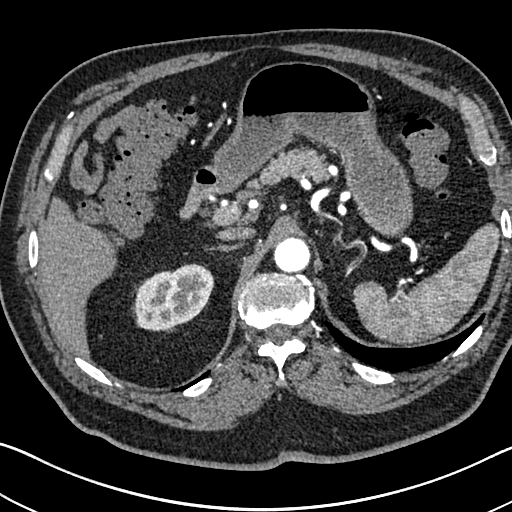
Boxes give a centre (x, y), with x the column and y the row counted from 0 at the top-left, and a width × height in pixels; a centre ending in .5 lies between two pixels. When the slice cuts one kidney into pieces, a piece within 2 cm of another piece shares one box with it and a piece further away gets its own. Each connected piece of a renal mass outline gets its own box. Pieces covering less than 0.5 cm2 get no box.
Slice 529/705 of a contrast-enhanced abdominal CT in the arterial phase, counting up from the lowest; pixel size 0.703 mm, slice thickness 1.00 mm. Right kidney in a box with centre (174.5, 297), 80 × 69 pixels (outlined area 3,942 px, about 19.5 cm2). No renal mass outline on this slice.
Tube voltage 120 kVp; convolution kernel I30f.